Axial slice 411 of 591 of a contrast-enhanced abdominal CT in the arterial phase (slice 1 is the lowest), 140 kVp, kernel I30f; 1.00 mm slice thickness and 0.703 mm pixels.
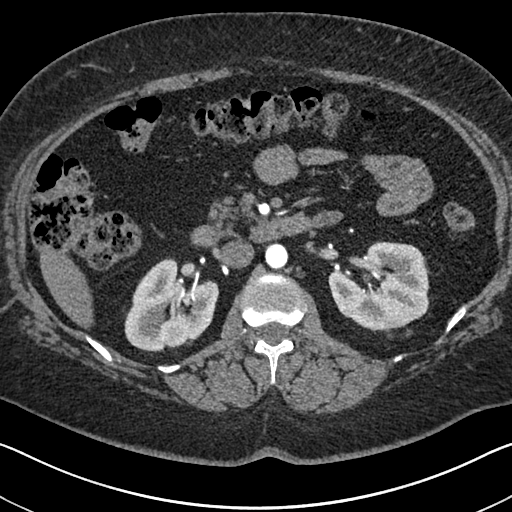
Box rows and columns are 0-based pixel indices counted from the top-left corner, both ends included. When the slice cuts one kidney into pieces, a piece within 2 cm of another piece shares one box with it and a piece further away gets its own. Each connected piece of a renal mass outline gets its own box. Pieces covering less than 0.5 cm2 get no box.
Two boxes on this slice (two kidney boxes), listed by box centre from the image's left to its right. (1) Box rows 257–351, columns 124–218: right kidney (outlined area 6,266 px, about 31.0 cm2). (2) Left kidney at rows 241–330, columns 328–429 (outlined area 6,755 px, about 33.4 cm2). No renal mass outline on this slice.